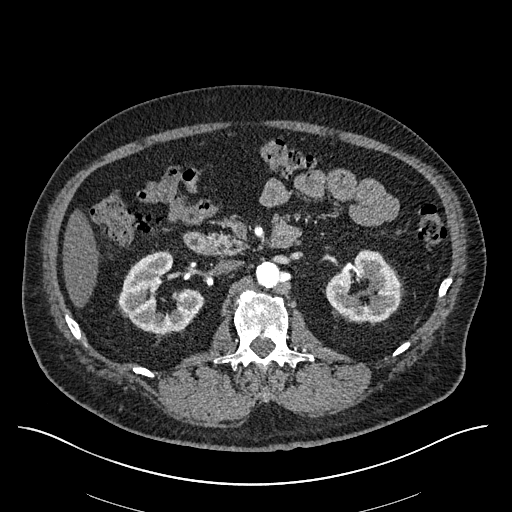
Arterial-phase contrast-enhanced abdominal CT, axial slice 346 of 670 (counted from the lowest slice); tube voltage 120 kVp, convolution kernel I30f; slices 1.00 mm thick, 0.861 mm per pixel.
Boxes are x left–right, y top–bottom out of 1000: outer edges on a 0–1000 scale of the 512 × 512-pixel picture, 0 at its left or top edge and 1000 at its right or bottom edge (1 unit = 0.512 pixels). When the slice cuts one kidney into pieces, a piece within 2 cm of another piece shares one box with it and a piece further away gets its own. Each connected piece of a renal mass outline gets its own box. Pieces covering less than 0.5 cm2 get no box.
Boxed on this slice (two kidney boxes), listed by box centre from the image's left to its right: (1) Right kidney, box x 230–398, y 490–650 out of 1000 (outlined area 4,273 px, about 31.7 cm2). (2) Left kidney at x 635–787, y 486–631 out of 1000 (outlined area 3,870 px, about 28.7 cm2). This slice carries no renal mass outline.